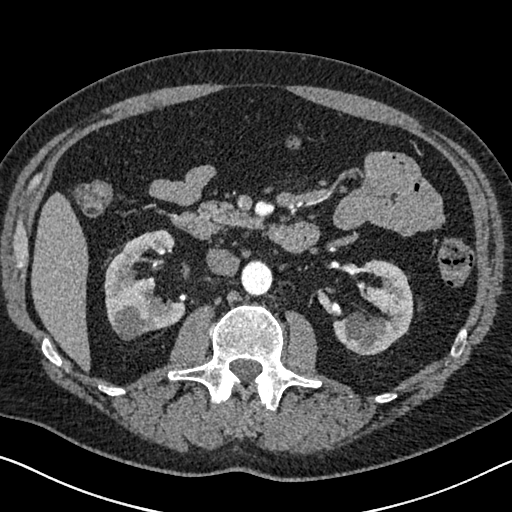
Arterial-phase contrast-enhanced abdominal CT, axial slice 386 of 626 (counted from the lowest slice); tube voltage 120 kVp, convolution kernel I30f; slices 1.00 mm thick, 0.703 mm per pixel.
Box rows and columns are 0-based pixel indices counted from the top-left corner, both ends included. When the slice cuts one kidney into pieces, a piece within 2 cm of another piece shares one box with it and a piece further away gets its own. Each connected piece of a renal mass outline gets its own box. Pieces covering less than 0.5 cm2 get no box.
Two kidney boxes on this slice; by box centre, from the image's left to its right: (1) Right kidney, box rows 229–340, columns 104–185 (outlined area 5,521 px, about 27.3 cm2). (2) Left kidney, box rows 259–355, columns 332–413 (outlined area 4,688 px, about 23.2 cm2). No renal mass outline on this slice.